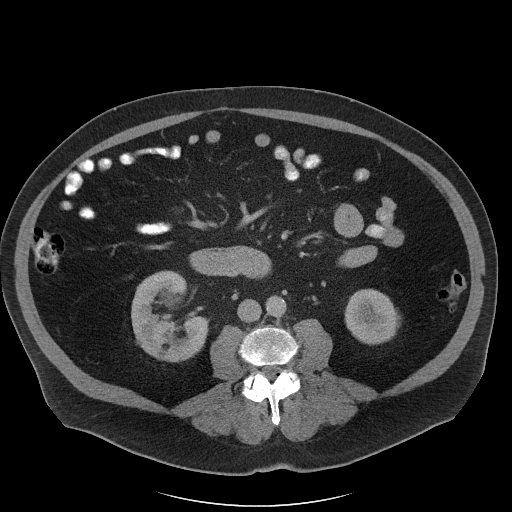
Axial slice 55 of 102 of a contrast-enhanced abdominal CT (slice 1 is the lowest), 120 kVp, kernel I40f; 5.00 mm slice thickness and 0.977 mm pixels.
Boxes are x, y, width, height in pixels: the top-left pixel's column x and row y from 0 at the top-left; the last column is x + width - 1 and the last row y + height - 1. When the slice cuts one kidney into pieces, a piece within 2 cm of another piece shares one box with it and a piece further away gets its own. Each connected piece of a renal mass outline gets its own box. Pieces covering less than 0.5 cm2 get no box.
Boxed on this slice (two kidney boxes), listed by box centre from the image's left to its right: (1) Right kidney, box x 131, y 270, width 78, height 93 (outlined area 4,800 px, about 45.8 cm2). (2) Box x 344, y 289, width 57, height 56: left kidney (outlined area 2,404 px, about 22.9 cm2). No renal mass is outlined on this slice.